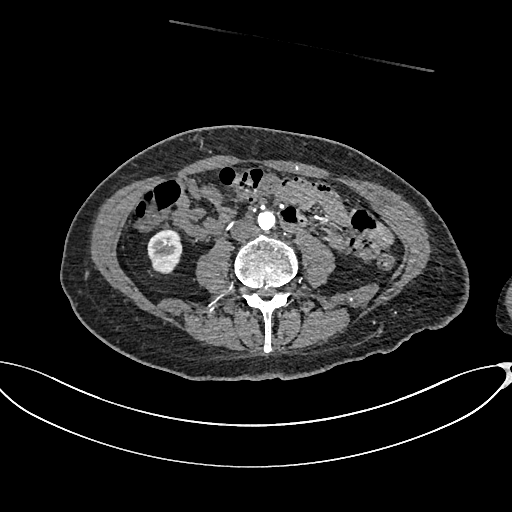
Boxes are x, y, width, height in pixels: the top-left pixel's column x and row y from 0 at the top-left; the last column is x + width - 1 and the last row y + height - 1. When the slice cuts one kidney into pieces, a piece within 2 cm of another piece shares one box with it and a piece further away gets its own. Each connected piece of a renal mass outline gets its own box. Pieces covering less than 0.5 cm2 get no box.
Arterial-phase contrast-enhanced abdominal CT, axial slice 287 of 665 (counted from the lowest slice); 1.00 mm thick, 0.828 mm per pixel. Box x 147, y 230, width 36, height 45: right kidney (outlined area 1,256 px, about 8.6 cm2). This slice carries no renal mass outline.
Acquired at 100 kVp and reconstructed with the I26f kernel.